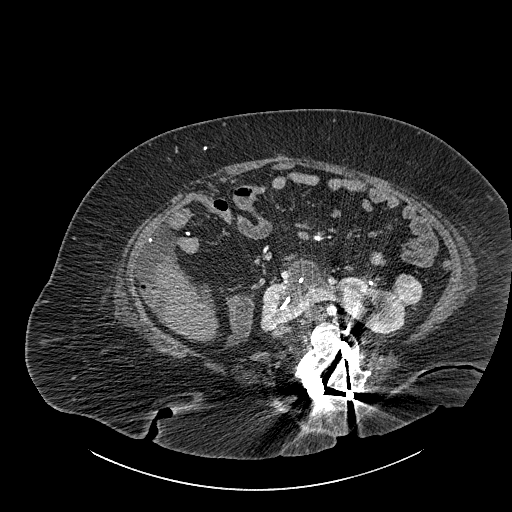
Abdominal CT with intravenous contrast, axial plane, 140 kVp, kernel I30f. Slice 483/834 from the bottom of the scan; thickness 1.00 mm; pixel size 0.977 mm.
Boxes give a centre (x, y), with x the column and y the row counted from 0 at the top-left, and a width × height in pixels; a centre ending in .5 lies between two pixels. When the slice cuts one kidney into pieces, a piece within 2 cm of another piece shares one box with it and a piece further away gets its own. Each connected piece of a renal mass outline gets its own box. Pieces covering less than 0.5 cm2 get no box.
Boxed on this slice (one kidney box and one renal mass box), listed by box centre from the image's left to its right: (1) Kidney crossing the body midline, box centre (332.5, 296.5), 146 × 76 pixels (outlined area 5,729 px, about 54.6 cm2). (2) Renal mass in a box with centre (407.5, 289.5), 30 × 32 pixels (outlined area 760 px, about 7.2 cm2).